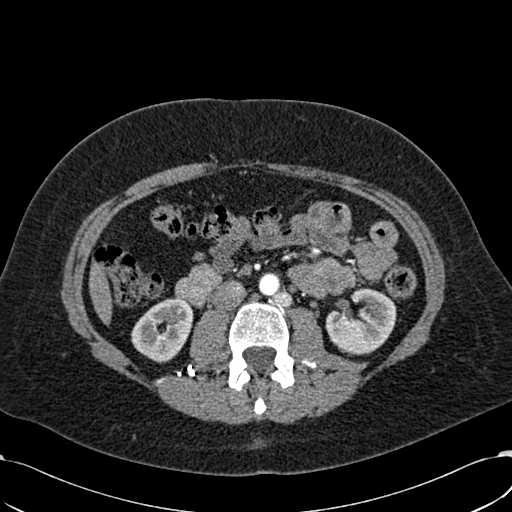
Arterial-phase contrast-enhanced abdominal CT, axial slice 307 of 532 (counted from the lowest slice); tube voltage 120 kVp, convolution kernel B30f; slices 1.00 mm thick, 0.713 mm per pixel.
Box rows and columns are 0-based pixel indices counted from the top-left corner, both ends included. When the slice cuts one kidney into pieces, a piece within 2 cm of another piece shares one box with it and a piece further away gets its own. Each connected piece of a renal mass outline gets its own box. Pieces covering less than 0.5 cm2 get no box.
Boxed on this slice (two kidney boxes), listed by box centre from the image's left to its right: (1) Right kidney, box rows 297–363, columns 131–193 (outlined area 2,886 px, about 14.7 cm2). (2) Left kidney, box rows 288–355, columns 325–396 (outlined area 3,429 px, about 17.4 cm2). No renal mass is outlined on this slice.